Axial slice 493 of 626 of a contrast-enhanced abdominal CT in the arterial phase (slice 1 is the lowest), 120 kVp, kernel I30f; 1.00 mm slice thickness and 0.703 mm pixels.
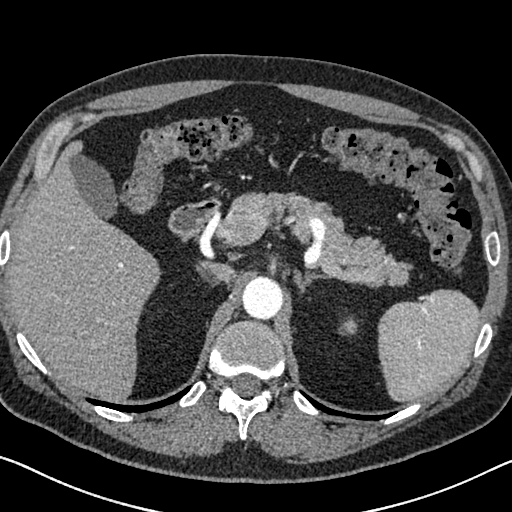
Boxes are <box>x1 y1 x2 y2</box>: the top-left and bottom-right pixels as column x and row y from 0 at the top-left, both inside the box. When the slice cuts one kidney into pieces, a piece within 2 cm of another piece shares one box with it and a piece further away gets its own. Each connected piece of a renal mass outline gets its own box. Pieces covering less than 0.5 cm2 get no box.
Left kidney at <box>338 316 357 335</box> (outlined area 264 px, about 1.3 cm2). This slice carries no renal mass outline.